Contrast-enhanced abdominal CT, axial slice 244 of 433 (counted from the lowest slice); tube voltage 120 kVp, convolution kernel B30f; slices 1.00 mm thick, 0.672 mm per pixel.
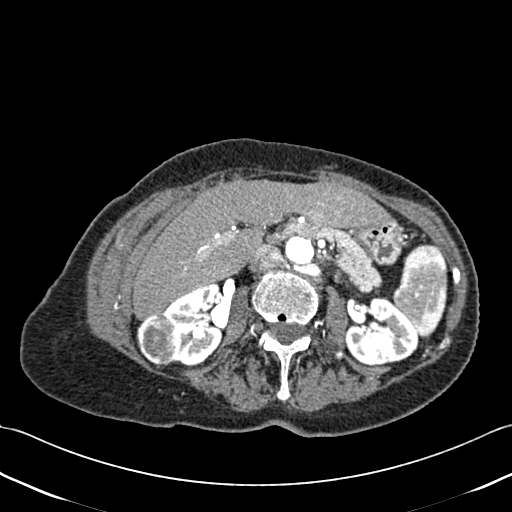
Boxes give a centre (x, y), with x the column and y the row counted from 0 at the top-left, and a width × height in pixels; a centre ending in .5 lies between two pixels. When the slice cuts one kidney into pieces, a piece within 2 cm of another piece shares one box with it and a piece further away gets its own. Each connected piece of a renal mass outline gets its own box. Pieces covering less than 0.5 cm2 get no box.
Boxed on this slice (two kidney boxes and one renal mass box), listed by box centre from the image's left to its right: (1) Right renal mass, box centre (157.5, 339), 44 × 55 pixels (outlined area 1,839 px, about 8.3 cm2). (2) Right kidney in a box with centre (192.5, 324.5), 62 × 84 pixels (outlined area 3,355 px, about 15.1 cm2). (3) Left kidney in a box with centre (381.5, 331.5), 74 × 70 pixels (outlined area 3,699 px, about 16.7 cm2).